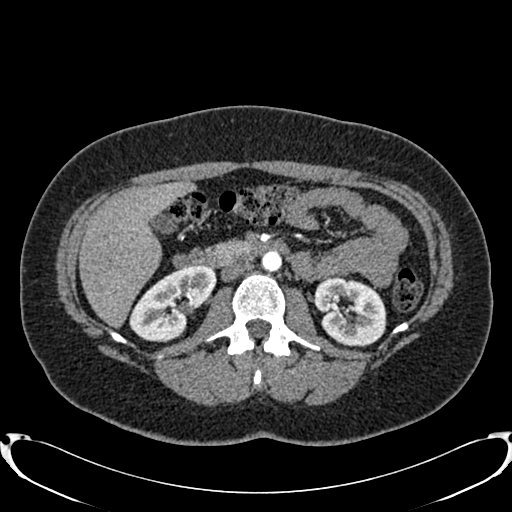
Arterial-phase contrast-enhanced abdominal CT, axial slice 448 of 719 (counted from the lowest slice); tube voltage 120 kVp, convolution kernel B20f; slices 1.00 mm thick, 0.766 mm per pixel.
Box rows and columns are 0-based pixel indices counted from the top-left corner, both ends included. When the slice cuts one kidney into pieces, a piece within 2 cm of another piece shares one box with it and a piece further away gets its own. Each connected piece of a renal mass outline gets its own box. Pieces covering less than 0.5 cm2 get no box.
Two kidney boxes on this slice; by box centre, from the image's left to its right: (1) Right kidney, box rows 265–342, columns 129–216 (outlined area 4,185 px, about 24.5 cm2). (2) Left kidney at rows 276–346, columns 312–386 (outlined area 3,882 px, about 22.8 cm2). No renal mass outline on this slice.